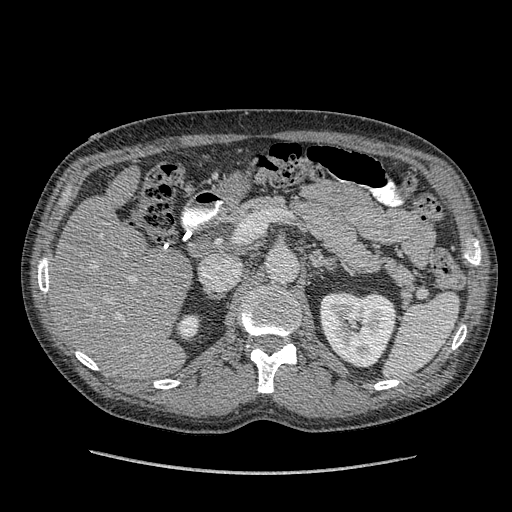
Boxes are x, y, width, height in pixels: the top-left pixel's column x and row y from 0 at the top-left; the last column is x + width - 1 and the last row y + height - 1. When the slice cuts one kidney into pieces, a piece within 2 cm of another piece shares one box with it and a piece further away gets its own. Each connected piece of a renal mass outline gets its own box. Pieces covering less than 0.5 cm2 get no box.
This is axial slice 241 of 349 (slice 1 is the lowest) of an arterial-phase abdominal CT with contrast; each pixel is 0.742 mm and the slice is 1.25 mm thick. Two boxes on this slice (two kidney boxes), listed by box centre from the image's left to its right. (1) Right kidney, box x 177, y 316, width 20, height 22 (outlined area 349 px, about 1.9 cm2). (2) Left kidney at x 320, y 291, width 77, height 77 (outlined area 4,645 px, about 25.6 cm2). No renal mass is outlined on this slice.
Tube voltage 120 kVp; convolution kernel STANDARD.